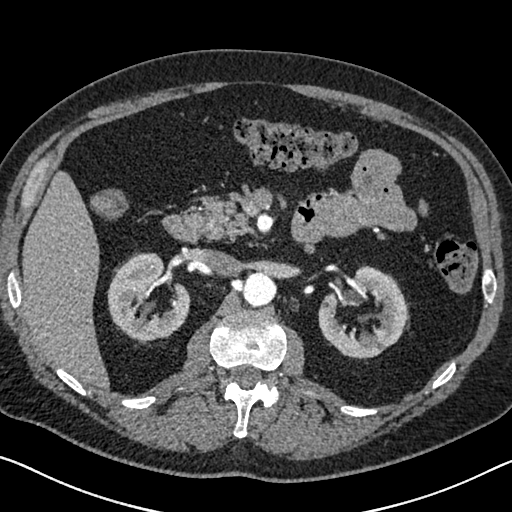
Axial slice 427 of 626 of a contrast-enhanced abdominal CT in the arterial phase (slice 1 is the lowest), 120 kVp, kernel I30f; 1.00 mm slice thickness and 0.703 mm pixels.
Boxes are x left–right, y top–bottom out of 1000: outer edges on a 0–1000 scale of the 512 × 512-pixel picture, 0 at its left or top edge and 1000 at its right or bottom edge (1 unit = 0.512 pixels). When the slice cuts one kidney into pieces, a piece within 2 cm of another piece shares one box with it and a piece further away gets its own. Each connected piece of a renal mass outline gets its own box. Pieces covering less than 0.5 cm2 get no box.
Two kidney boxes on this slice; by box centre, from the image's left to its right: (1) Box x 209–373, y 494–670 out of 1000: right kidney (outlined area 5,020 px, about 24.8 cm2). (2) Box x 621–797, y 518–703 out of 1000: left kidney (outlined area 5,235 px, about 25.9 cm2). No renal mass is outlined on this slice.